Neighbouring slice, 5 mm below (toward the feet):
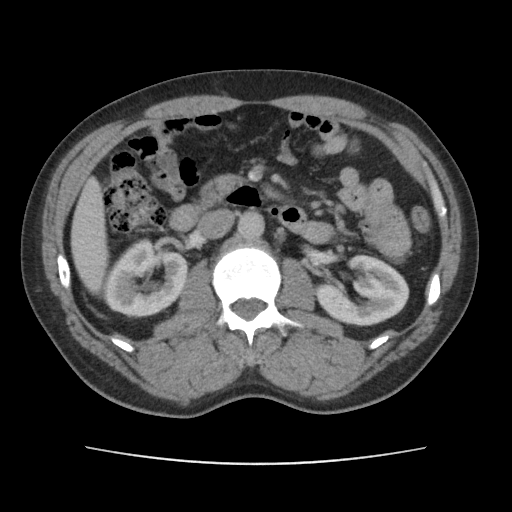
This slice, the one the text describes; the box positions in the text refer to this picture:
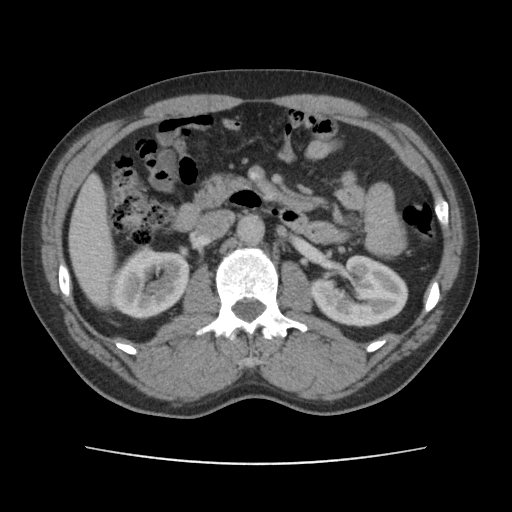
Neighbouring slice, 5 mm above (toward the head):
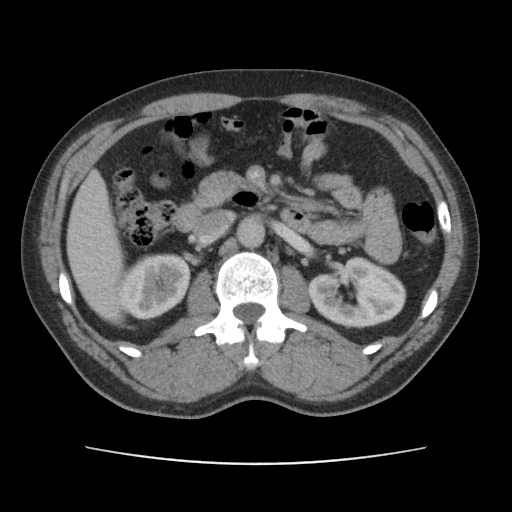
Axial slice 68 of 101 of a contrast-enhanced abdominal CT in the arterial phase (slice 1 is the lowest), 120 kVp, kernel FC14; 5.00 mm slice thickness and 0.755 mm pixels.
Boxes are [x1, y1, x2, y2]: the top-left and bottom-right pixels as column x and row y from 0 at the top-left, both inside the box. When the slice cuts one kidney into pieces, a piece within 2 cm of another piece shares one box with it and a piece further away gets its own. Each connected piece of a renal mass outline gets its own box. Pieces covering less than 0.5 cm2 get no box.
Two kidney boxes and one renal mass box on this slice; by box centre, from the image's left to its right: (1) Right renal mass, box [108, 271, 135, 303] (outlined area 704 px, about 4.0 cm2). (2) Right kidney, box [112, 246, 190, 319] (outlined area 3,741 px, about 21.3 cm2). (3) Left kidney, box [312, 254, 408, 327] (outlined area 5,140 px, about 29.3 cm2). This slice lies near the end of the right renal mass toward the head; the slices 5 mm below and 5 mm above it are shown too, and the boxes mark positions on this slice only.